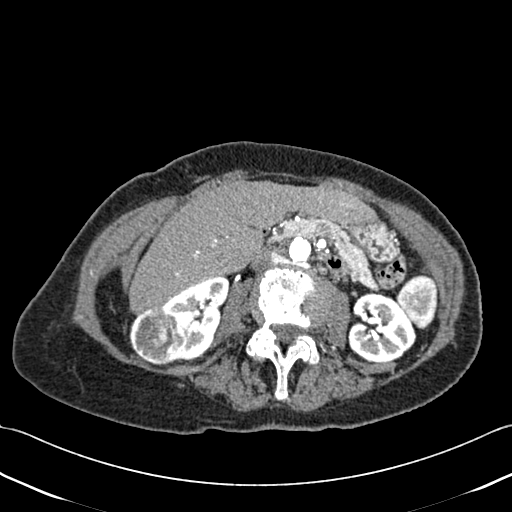
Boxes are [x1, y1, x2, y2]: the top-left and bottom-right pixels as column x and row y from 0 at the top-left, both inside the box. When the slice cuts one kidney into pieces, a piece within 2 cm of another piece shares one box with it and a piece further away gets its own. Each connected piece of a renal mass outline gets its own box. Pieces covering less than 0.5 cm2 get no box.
Contrast-enhanced abdominal CT, axial slice 225 of 433 (counted from the lowest slice); 1.00 mm thick, 0.672 mm per pixel. Three boxes on this slice (two kidney boxes and one renal mass box), listed by box centre from the image's left to its right. (1) Right renal mass at [129, 304, 187, 364] (outlined area 2,693 px, about 12.2 cm2). (2) Right kidney at [156, 276, 228, 360] (outlined area 3,095 px, about 14.0 cm2). (3) Box [347, 291, 416, 362]: left kidney (outlined area 3,673 px, about 16.6 cm2).
Tube voltage 120 kVp; convolution kernel B30f.